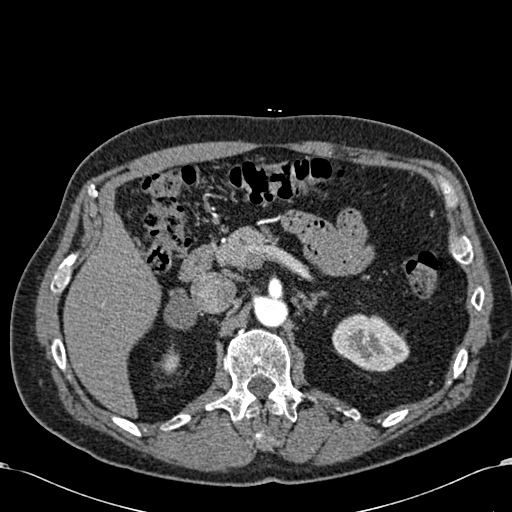
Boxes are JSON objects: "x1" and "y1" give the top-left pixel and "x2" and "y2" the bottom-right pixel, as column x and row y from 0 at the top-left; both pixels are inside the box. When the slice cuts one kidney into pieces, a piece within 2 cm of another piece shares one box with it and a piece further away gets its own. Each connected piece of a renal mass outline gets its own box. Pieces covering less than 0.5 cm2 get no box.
This is axial slice 419 of 581 (slice 1 is the lowest) of an arterial-phase abdominal CT with contrast; each pixel is 0.713 mm and the slice is 1.00 mm thick. Two kidney boxes on this slice; by box centre, from the image's left to its right: (1) Box {"x1": 159, "y1": 353, "x2": 177, "y2": 373}: right kidney (outlined area 296 px, about 1.5 cm2). (2) Left kidney, box {"x1": 331, "y1": 313, "x2": 409, "y2": 371} (outlined area 3,242 px, about 16.5 cm2). This slice carries no renal mass outline.
Acquired at 120 kVp and reconstructed with the B30f kernel.